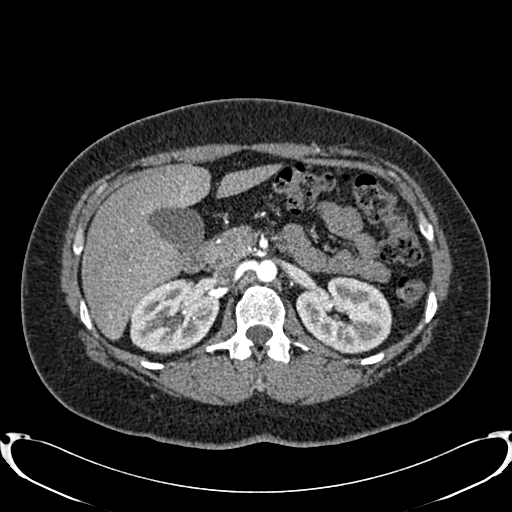
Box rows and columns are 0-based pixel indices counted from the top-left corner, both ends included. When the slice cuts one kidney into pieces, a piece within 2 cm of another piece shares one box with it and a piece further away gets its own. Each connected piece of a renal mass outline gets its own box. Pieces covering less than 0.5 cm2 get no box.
This is axial slice 511 of 719 (slice 1 is the lowest) of an arterial-phase abdominal CT with contrast; each pixel is 0.766 mm and the slice is 1.00 mm thick. Two kidney boxes on this slice; by box centre, from the image's left to its right: (1) Right kidney, box rows 278–354, columns 130–218 (outlined area 5,124 px, about 30.0 cm2). (2) Left kidney at rows 276–353, columns 296–392 (outlined area 5,505 px, about 32.3 cm2). This slice carries no renal mass outline.
Acquired at 120 kVp and reconstructed with the B20f kernel.